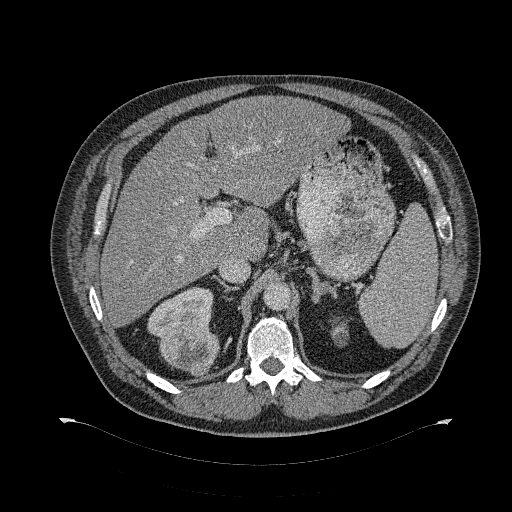
Axial slice 217 of 274 of a contrast-enhanced abdominal CT (slice 1 is the lowest), 120 kVp, kernel B31f; 2.00 mm slice thickness and 0.977 mm pixels.
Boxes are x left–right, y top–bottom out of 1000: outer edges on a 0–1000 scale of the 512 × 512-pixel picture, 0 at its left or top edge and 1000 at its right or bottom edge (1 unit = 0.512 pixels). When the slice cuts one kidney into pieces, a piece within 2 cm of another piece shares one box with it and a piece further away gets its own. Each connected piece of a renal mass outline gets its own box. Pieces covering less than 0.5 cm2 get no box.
Three boxes on this slice (two kidney boxes and one renal mass box), listed by box centre from the image's left to its right. (1) Box x 287–416, y 559–662 out of 1000: right kidney (outlined area 2,013 px, about 19.2 cm2). (2) Right renal mass at x 311–430, y 629–732 out of 1000 (outlined area 2,427 px, about 23.1 cm2). (3) Left kidney, box x 645–682, y 619–680 out of 1000 (outlined area 422 px, about 4.0 cm2).